Axial slice 22 of 88 of a contrast-enhanced abdominal CT in the arterial phase (slice 1 is the lowest), 120 kVp, kernel B30f; 5.00 mm slice thickness and 0.691 mm pixels.
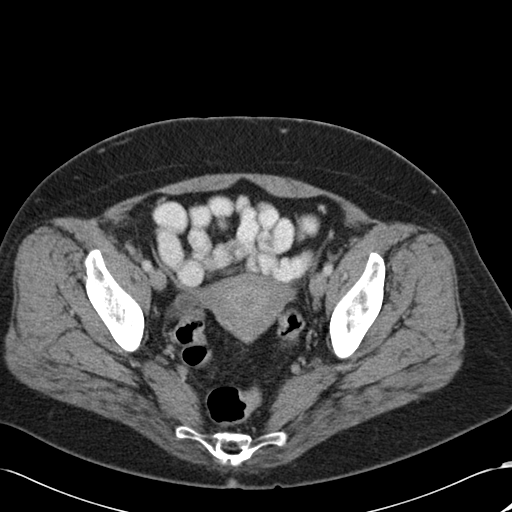
No kidney and no renal mass is outlined on this slice; the outlines in this scan cover only the kidneys and the renal masses, so nothing is said about any other organ.